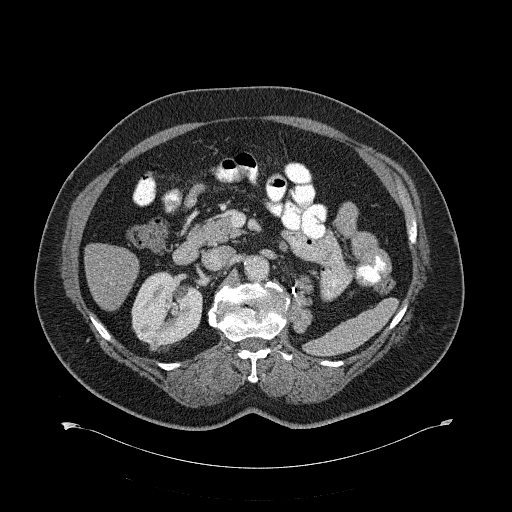
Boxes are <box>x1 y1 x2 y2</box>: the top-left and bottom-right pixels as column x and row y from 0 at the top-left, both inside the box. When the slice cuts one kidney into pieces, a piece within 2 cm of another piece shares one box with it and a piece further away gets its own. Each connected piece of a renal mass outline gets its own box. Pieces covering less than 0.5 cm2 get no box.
Contrast-enhanced abdominal CT, axial slice 381 of 734 (counted from the lowest slice); 2.00 mm thick, 0.971 mm per pixel. Two boxes on this slice (one kidney box and one renal mass box), listed by box centre from the image's left to its right. (1) Right renal mass at <box>149 339 159 350</box> (outlined area 110 px, about 1.0 cm2). (2) At <box>131 271 202 350</box>: right kidney (outlined area 4,149 px, about 39.1 cm2).
Acquired at 120 kVp and reconstructed with the B31f kernel.